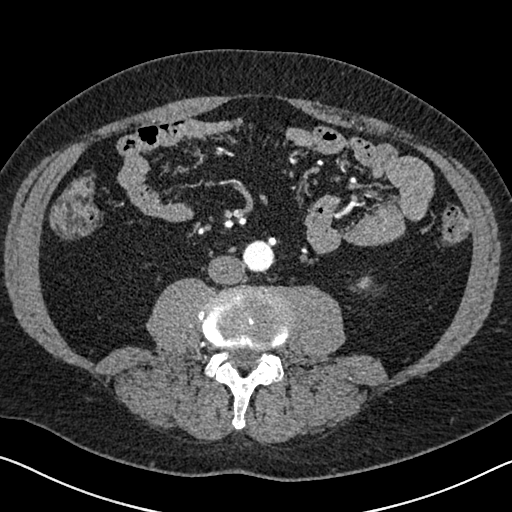
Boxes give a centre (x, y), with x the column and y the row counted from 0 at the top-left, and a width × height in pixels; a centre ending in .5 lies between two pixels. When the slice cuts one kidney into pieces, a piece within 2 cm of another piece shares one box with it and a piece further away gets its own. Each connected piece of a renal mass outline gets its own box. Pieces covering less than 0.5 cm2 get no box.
Slice 276/626 of a contrast-enhanced abdominal CT in the arterial phase, counting up from the lowest; pixel size 0.703 mm, slice thickness 1.00 mm. Left kidney in a box with centre (364, 283.5), 17 × 16 pixels (outlined area 162 px, about 0.8 cm2). This slice carries no renal mass outline.
Tube voltage 120 kVp; convolution kernel I30f.